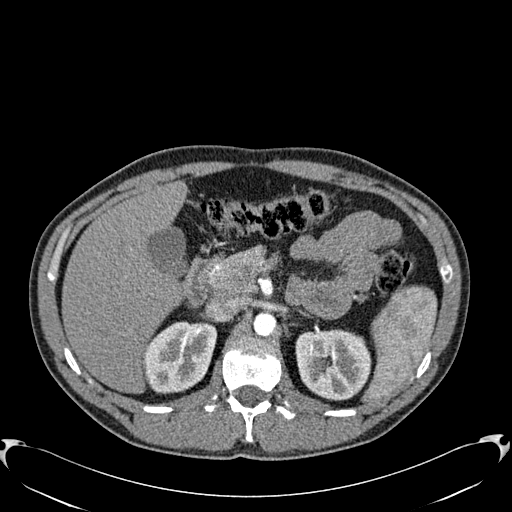
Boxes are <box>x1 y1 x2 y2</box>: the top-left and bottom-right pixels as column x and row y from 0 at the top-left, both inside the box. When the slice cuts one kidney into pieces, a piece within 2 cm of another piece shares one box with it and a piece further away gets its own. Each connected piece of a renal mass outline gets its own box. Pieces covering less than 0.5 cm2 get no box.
This is axial slice 404 of 512 (slice 1 is the lowest) of an arterial-phase abdominal CT with contrast; each pixel is 0.771 mm and the slice is 1.00 mm thick. Two kidney boxes on this slice; by box centre, from the image's left to its right: (1) Right kidney at <box>143 321 217 394</box> (outlined area 4,127 px, about 24.6 cm2). (2) Left kidney: <box>295 329 371 400</box> (outlined area 4,439 px, about 26.4 cm2). This slice carries no renal mass outline.
Scan settings: 120 kVp, B30f reconstruction kernel.